Axial slice 224 of 670 of a contrast-enhanced abdominal CT in the arterial phase (slice 1 is the lowest), 120 kVp, kernel I30f; 1.00 mm slice thickness and 0.861 mm pixels.
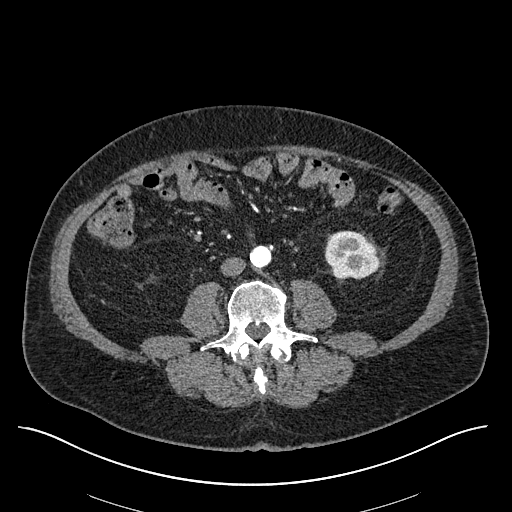
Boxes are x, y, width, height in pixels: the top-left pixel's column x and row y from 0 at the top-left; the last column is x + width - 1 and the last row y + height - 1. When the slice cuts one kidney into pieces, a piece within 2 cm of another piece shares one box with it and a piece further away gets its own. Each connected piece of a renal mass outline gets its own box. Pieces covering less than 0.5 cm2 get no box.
Box x 325, y 231, width 55, height 49: left kidney (outlined area 2,118 px, about 15.7 cm2). This slice carries no renal mass outline.